Arterial-phase contrast-enhanced abdominal CT, axial slice 410 of 705 (counted from the lowest slice); tube voltage 120 kVp, convolution kernel I30f; slices 1.00 mm thick, 0.703 mm per pixel.
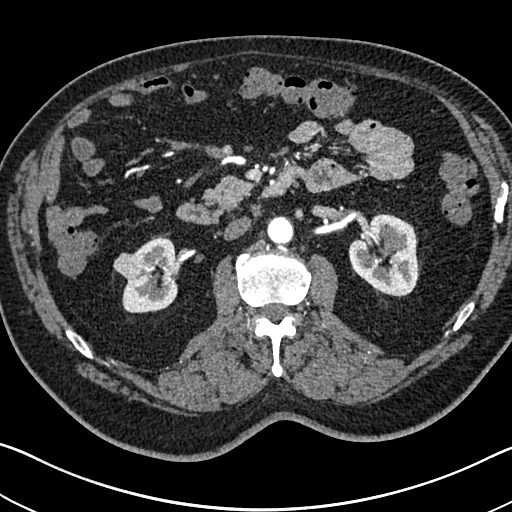
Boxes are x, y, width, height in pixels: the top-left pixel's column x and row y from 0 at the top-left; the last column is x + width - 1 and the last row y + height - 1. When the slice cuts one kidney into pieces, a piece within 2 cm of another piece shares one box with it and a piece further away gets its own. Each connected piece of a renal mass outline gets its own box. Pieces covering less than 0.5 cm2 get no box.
Two kidney boxes and one renal mass box on this slice; by box centre, from the image's left to its right: (1) Right renal mass, box x 113, y 252, width 32, height 28 (outlined area 620 px, about 3.1 cm2). (2) Right kidney, box x 122, y 235, width 56, height 79 (outlined area 3,033 px, about 15.0 cm2). (3) Box x 348, y 213, width 73, height 85: left kidney (outlined area 4,400 px, about 21.8 cm2).